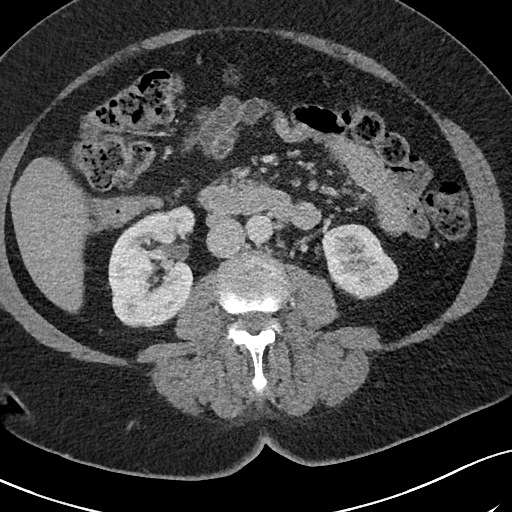
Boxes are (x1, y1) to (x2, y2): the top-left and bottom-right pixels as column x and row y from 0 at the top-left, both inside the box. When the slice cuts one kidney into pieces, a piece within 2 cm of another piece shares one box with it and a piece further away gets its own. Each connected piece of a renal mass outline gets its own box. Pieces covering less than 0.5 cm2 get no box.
Arterial-phase contrast-enhanced abdominal CT, axial slice 35 of 69 (counted from the lowest slice); 3.00 mm thick, 0.664 mm per pixel. Boxed on this slice (two kidney boxes), listed by box centre from the image's left to its right: (1) Right kidney from (108, 205) to (195, 329) (outlined area 8,240 px, about 36.3 cm2). (2) Left kidney, box (318, 223) to (398, 299) (outlined area 4,175 px, about 18.4 cm2). This slice carries no renal mass outline.
Acquired at 120 kVp and reconstructed with the I40f kernel.